One axial slice (467 of 591, counting up from the lowest) of an arterial-phase abdominal CT acquired with 140 kVp, kernel I30f; each pixel is 0.703 mm and the slice is 1.00 mm thick.
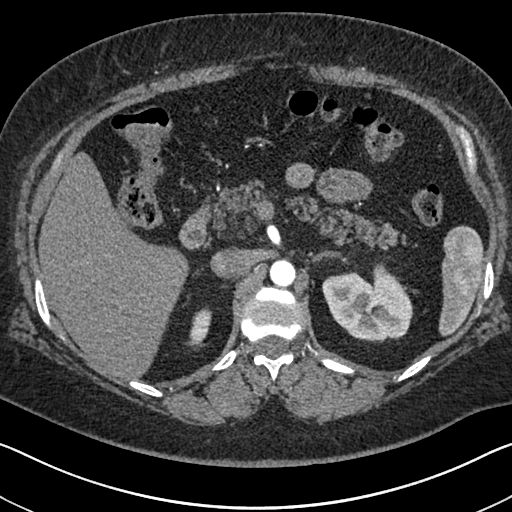
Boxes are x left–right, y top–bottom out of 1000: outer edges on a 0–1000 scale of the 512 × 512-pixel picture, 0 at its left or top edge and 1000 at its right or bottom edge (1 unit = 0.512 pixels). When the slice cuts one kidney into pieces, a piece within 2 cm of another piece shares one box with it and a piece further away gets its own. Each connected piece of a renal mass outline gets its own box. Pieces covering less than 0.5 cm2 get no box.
Two kidney boxes on this slice; by box centre, from the image's left to its right: (1) Right kidney at x 365–414, y 602–684 out of 1000 (outlined area 646 px, about 3.2 cm2). (2) Box x 629–809, y 512–670 out of 1000: left kidney (outlined area 5,033 px, about 24.9 cm2). This slice carries no renal mass outline.